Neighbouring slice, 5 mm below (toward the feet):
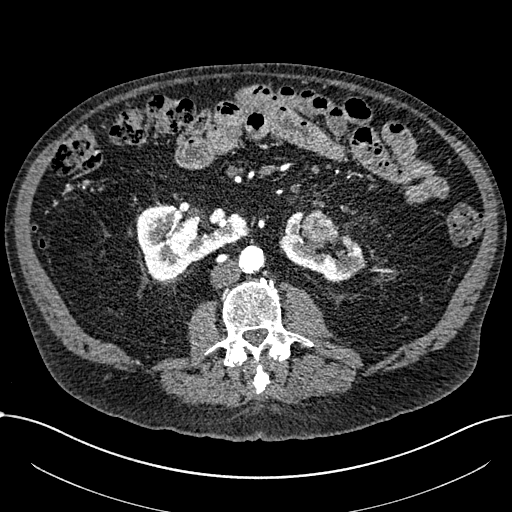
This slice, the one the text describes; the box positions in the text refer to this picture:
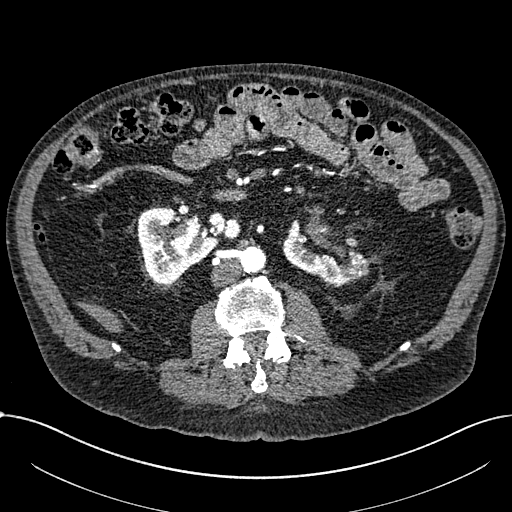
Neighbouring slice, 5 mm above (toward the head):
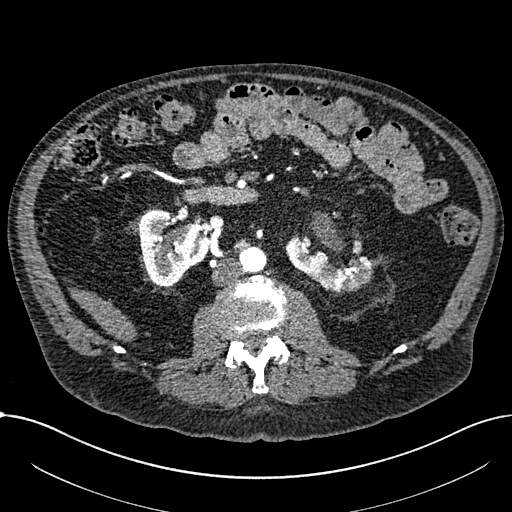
One axial slice (342 of 1059, counting up from the lowest) of an arterial-phase abdominal CT acquired with 100 kVp, kernel I30f; each pixel is 0.811 mm and the slice is 1.00 mm thick.
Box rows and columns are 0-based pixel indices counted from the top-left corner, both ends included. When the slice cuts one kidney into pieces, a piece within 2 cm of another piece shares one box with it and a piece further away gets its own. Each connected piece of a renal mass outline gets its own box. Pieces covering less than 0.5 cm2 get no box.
Boxed on this slice (two kidney boxes and one renal mass box), listed by box centre from the image's left to its right: (1) Right part of the midline-crossing kidney at rows 205–283, columns 137–231 (outlined area 4,728 px, about 31.1 cm2). (2) Box rows 219–287, columns 282–368: left part of the midline-crossing kidney (outlined area 2,984 px, about 19.6 cm2). (3) Box rows 223–249, columns 314–340: renal mass (outlined area 303 px, about 2.0 cm2). This slice is near the end of a renal mass toward the head, so the slices 5 mm below and 5 mm above it are shown as well; the boxes refer to this slice only.